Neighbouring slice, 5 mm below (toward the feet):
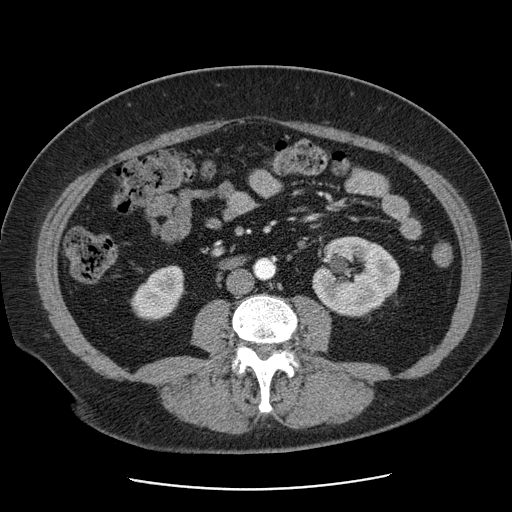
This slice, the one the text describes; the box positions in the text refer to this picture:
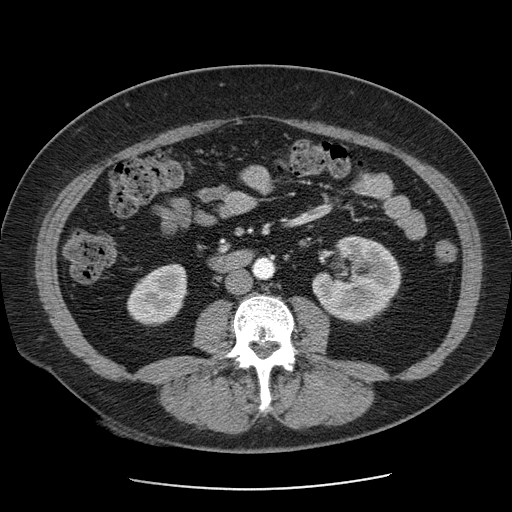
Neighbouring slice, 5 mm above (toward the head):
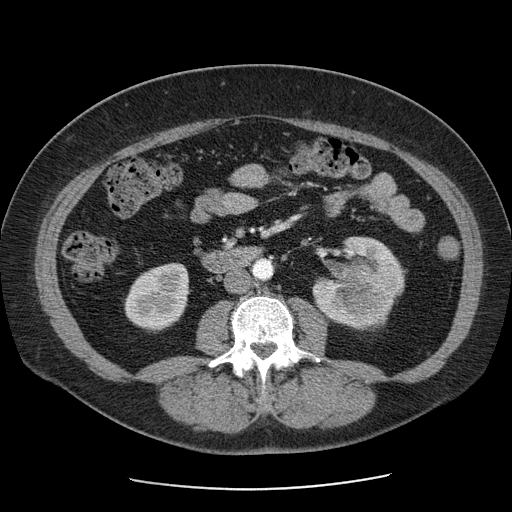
Axial slice 27 of 103 of a contrast-enhanced abdominal CT (slice 1 is the lowest), 120 kVp, kernel STANDARD; 2.50 mm slice thickness and 0.736 mm pixels.
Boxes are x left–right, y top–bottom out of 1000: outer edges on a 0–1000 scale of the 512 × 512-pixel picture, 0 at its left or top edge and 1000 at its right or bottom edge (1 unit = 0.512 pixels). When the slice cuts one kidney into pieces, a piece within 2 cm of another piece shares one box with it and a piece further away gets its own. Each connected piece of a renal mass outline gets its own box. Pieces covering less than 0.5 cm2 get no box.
Two kidney boxes and one renal mass box on this slice; by box centre, from the image's left to its right: (1) Box x 248–367, y 514–639 out of 1000: right kidney (outlined area 2,796 px, about 15.2 cm2). (2) Left renal mass, box x 670–715, y 561–607 out of 1000 (outlined area 432 px, about 2.3 cm2). (3) Left kidney at x 609–785, y 459–635 out of 1000 (outlined area 5,202 px, about 28.2 cm2). This slice lies near the end of the left renal mass toward the feet; the slices 5 mm below and 5 mm above it are shown too, and the boxes mark positions on this slice only.